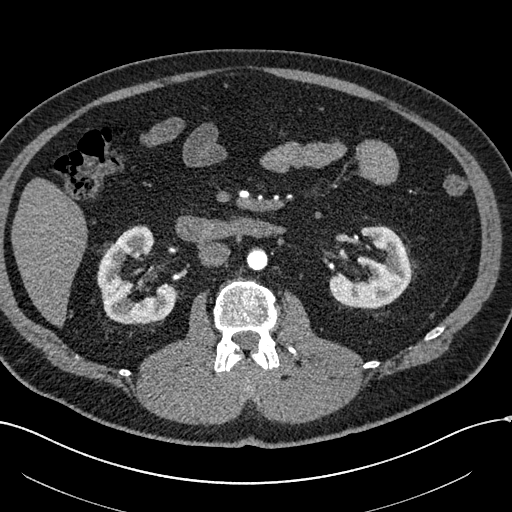
One axial slice (318 of 602, counting up from the lowest) of an arterial-phase abdominal CT acquired with 120 kVp, kernel I30f; each pixel is 0.799 mm and the slice is 1.00 mm thick.
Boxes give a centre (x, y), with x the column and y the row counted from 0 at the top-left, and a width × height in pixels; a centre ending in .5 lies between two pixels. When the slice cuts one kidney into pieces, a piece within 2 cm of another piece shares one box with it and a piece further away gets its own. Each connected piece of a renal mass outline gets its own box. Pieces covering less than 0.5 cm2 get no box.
Two boxes on this slice (two kidney boxes), listed by box centre from the image's left to its right. (1) Right kidney, box centre (136.5, 274.5), 80 × 100 pixels (outlined area 4,750 px, about 30.3 cm2). (2) Box centre (369.5, 266.5), 84 × 84 pixels: left kidney (outlined area 4,201 px, about 26.8 cm2). No renal mass outline on this slice.